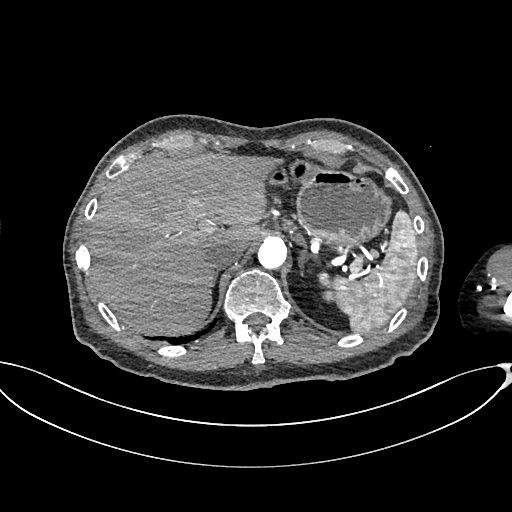
Arterial-phase contrast-enhanced abdominal CT, axial slice 521 of 665 (counted from the lowest slice); tube voltage 100 kVp, convolution kernel I26f; slices 1.00 mm thick, 0.828 mm per pixel.
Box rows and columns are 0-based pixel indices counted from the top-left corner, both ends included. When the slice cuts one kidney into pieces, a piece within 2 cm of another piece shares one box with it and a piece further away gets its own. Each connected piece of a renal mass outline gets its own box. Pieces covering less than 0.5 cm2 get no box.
Box rows 273–298, columns 318–331: left kidney (outlined area 217 px, about 1.5 cm2). No renal mass is outlined on this slice.